Abdominal CT with intravenous contrast, arterial phase, axial plane, 120 kVp, kernel I31f. Slice 118/345 from the bottom of the scan; thickness 2.00 mm; pixel size 0.977 mm.
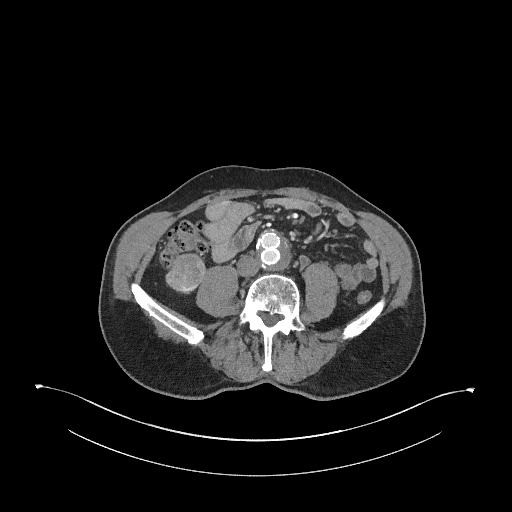
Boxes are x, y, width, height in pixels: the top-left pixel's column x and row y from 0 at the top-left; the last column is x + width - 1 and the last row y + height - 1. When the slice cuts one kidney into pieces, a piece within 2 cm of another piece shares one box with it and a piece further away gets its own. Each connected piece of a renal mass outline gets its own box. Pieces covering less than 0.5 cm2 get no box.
Two boxes on this slice (one kidney box and one renal mass box), listed by box centre from the image's left to its right. (1) Right kidney, box x 170, y 284, width 30, height 11 (outlined area 146 px, about 1.4 cm2). (2) Box x 165, y 252, width 42, height 36: right renal mass (outlined area 1,120 px, about 10.7 cm2).